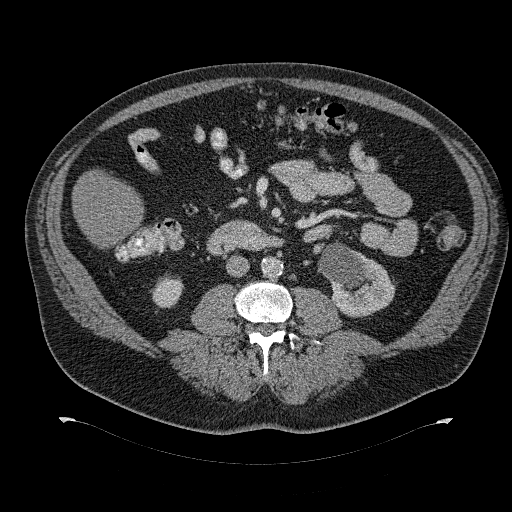
Abdominal CT with intravenous contrast, axial plane, 120 kVp, kernel B31f. Slice 162/274 from the bottom of the scan; thickness 2.00 mm; pixel size 0.977 mm.
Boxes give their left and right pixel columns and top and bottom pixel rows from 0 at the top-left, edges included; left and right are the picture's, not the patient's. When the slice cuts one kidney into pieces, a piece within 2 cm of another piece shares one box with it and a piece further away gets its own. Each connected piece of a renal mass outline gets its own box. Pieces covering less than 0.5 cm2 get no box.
Boxed on this slice (two kidney boxes), listed by box centre from the image's left to its right: (1) Right kidney, the box with left 150, top 274, right 183, bottom 308 (outlined area 823 px, about 7.8 cm2). (2) Left kidney, the box with left 318, top 242, right 395, bottom 317 (outlined area 3,751 px, about 35.8 cm2). This slice carries no renal mass outline.